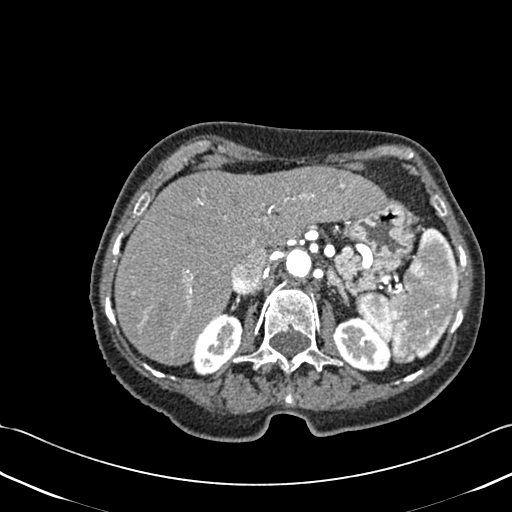
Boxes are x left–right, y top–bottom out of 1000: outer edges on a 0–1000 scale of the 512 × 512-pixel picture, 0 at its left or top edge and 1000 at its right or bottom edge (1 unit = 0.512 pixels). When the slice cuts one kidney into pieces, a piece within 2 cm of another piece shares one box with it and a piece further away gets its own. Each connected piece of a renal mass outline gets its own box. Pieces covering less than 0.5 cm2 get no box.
This is axial slice 320 of 433 (slice 1 is the lowest) of an abdominal CT with contrast; each pixel is 0.672 mm and the slice is 1.00 mm thick. Two boxes on this slice (two kidney boxes), listed by box centre from the image's left to its right. (1) Right kidney at x 377–475, y 611–734 out of 1000 (outlined area 2,131 px, about 9.6 cm2). (2) Left kidney, box x 650–768, y 617–727 out of 1000 (outlined area 2,305 px, about 10.4 cm2). No renal mass is outlined on this slice.
Tube voltage 120 kVp; convolution kernel B30f.